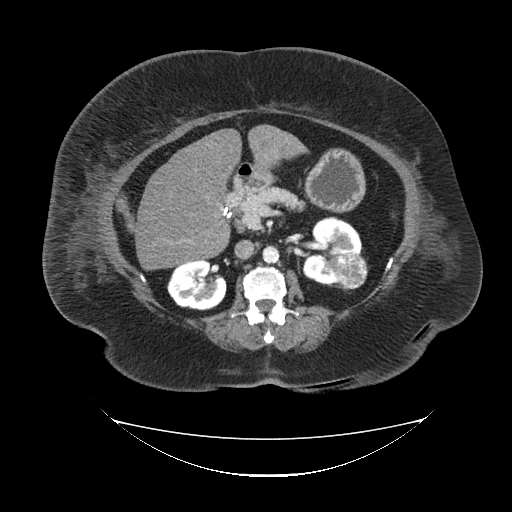
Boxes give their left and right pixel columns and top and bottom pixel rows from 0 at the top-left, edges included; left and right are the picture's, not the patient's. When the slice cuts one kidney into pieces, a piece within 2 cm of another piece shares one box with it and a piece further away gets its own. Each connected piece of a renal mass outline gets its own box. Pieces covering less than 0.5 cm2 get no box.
Slice 59/85 of a contrast-enhanced abdominal CT in the arterial phase, counting up from the lowest; pixel size 1.041 mm, slice thickness 5.00 mm. Two kidney boxes and one renal mass box on this slice; by box centre, from the image's left to its right: (1) Right kidney in the box with left 167, top 260, right 226, bottom 310 (outlined area 2,344 px, about 25.4 cm2). (2) Left kidney, the box with left 301, top 216, right 361, bottom 283 (outlined area 2,481 px, about 26.9 cm2). (3) Left renal mass in the box with left 329, top 253, right 367, bottom 288 (outlined area 1,058 px, about 11.5 cm2).
Tube voltage 120 kVp; convolution kernel FC19.